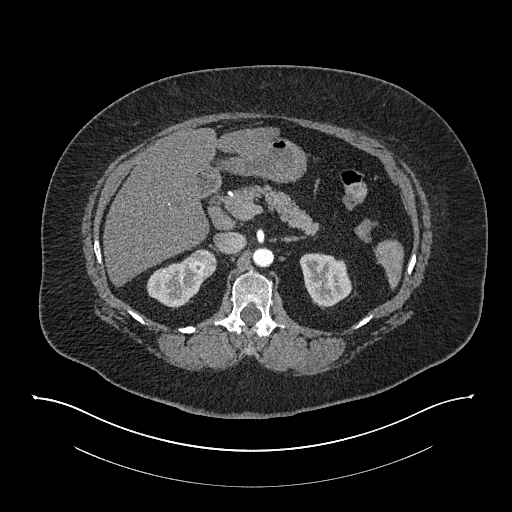
Axial slice 532 of 673 of a contrast-enhanced abdominal CT in the arterial phase (slice 1 is the lowest), 140 kVp, kernel I30f; 1.00 mm slice thickness and 0.957 mm pixels.
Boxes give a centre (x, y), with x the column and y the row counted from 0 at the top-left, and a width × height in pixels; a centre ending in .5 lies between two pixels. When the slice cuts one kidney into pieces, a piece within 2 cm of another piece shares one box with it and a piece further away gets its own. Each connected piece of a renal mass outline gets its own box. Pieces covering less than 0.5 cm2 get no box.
Boxed on this slice (two kidney boxes and one renal mass box), listed by box centre from the image's left to its right: (1) Right kidney, box centre (177.5, 282), 64 × 53 pixels (outlined area 1,883 px, about 17.2 cm2). (2) Right renal mass, box centre (202, 262.5), 29 × 28 pixels (outlined area 633 px, about 5.8 cm2). (3) Left kidney, box centre (325.5, 281), 54 × 57 pixels (outlined area 2,165 px, about 19.8 cm2).